One axial slice (86 of 105, counting up from the lowest) of a contrast-enhanced abdominal CT acquired with 120 kVp, kernel B; each pixel is 0.977 mm and the slice is 3.00 mm thick.
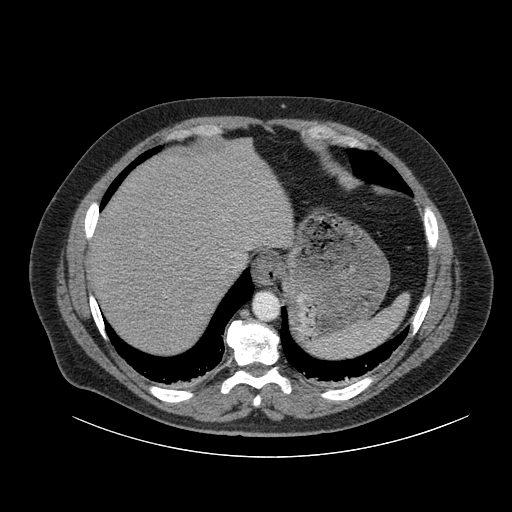
This slice carries no outline: it lies beyond the outlined kidneys and beyond every outlined renal mass. Other organs are not outlined in this scan.